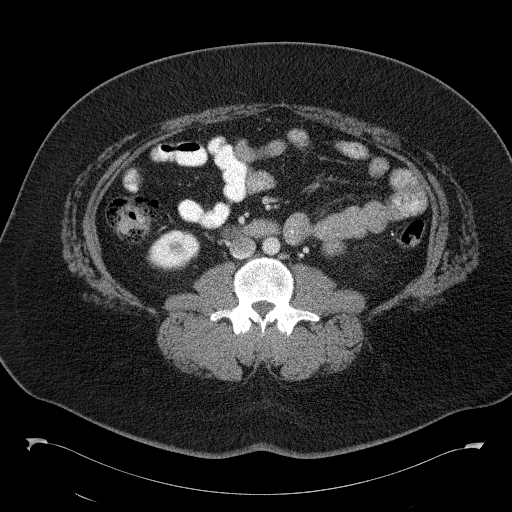
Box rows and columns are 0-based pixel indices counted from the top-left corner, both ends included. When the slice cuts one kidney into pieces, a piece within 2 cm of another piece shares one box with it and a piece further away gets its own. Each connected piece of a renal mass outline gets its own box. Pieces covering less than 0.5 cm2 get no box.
This is axial slice 67 of 146 (slice 1 is the lowest) of an abdominal CT with contrast; each pixel is 0.840 mm and the slice is 5.00 mm thick. Kidney at rows 230–269, columns 148–198 (outlined area 1,444 px, about 10.2 cm2). No renal mass is outlined on this slice.
Scan settings: 120 kVp, B41f reconstruction kernel.